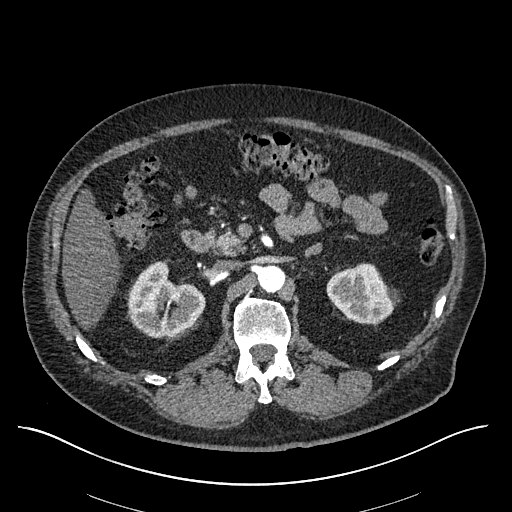
Abdominal CT with intravenous contrast, arterial phase, axial plane, 120 kVp, kernel I30f. Slice 369/670 from the bottom of the scan; thickness 1.00 mm; pixel size 0.861 mm.
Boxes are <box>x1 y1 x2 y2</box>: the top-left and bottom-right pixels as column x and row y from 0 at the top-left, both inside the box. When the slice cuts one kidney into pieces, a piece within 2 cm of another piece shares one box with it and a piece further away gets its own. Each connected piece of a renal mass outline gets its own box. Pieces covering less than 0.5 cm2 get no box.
Boxed on this slice (two kidney boxes), listed by box centre from the image's left to its right: (1) Right kidney at <box>128 261 205 338</box> (outlined area 4,073 px, about 30.2 cm2). (2) Left kidney at <box>326 263 400 324</box> (outlined area 3,121 px, about 23.2 cm2). This slice carries no renal mass outline.